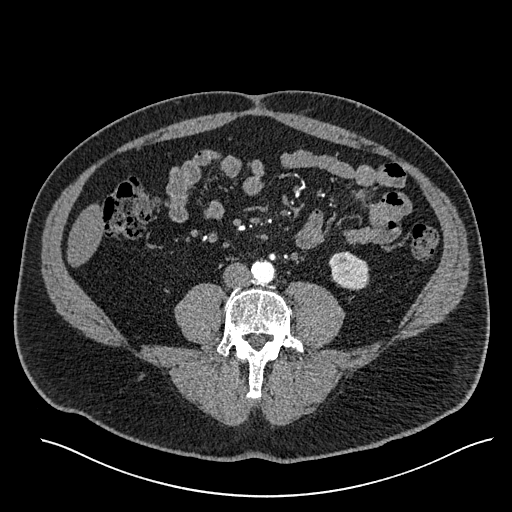
Axial slice 191 of 527 of a contrast-enhanced abdominal CT in the arterial phase (slice 1 is the lowest), 120 kVp, kernel I30f; 1.00 mm slice thickness and 0.859 mm pixels.
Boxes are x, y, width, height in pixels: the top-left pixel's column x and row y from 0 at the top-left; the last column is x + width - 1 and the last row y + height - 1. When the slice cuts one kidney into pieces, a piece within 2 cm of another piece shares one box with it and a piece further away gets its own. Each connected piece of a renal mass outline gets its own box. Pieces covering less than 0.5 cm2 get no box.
Left kidney, box x 328, y 251, width 42, height 40 (outlined area 1,248 px, about 9.2 cm2). This slice carries no renal mass outline.